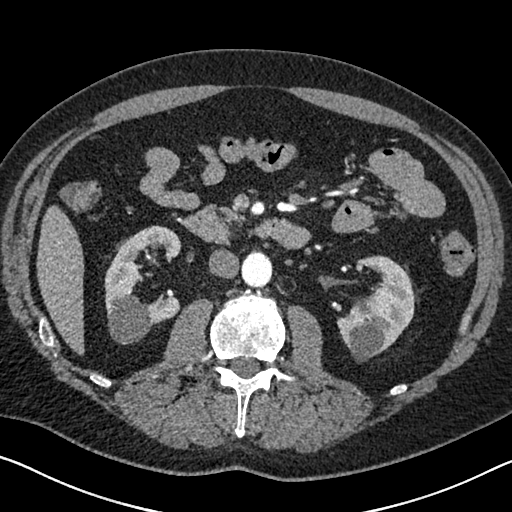
Arterial-phase contrast-enhanced abdominal CT, axial slice 364 of 626 (counted from the lowest slice); tube voltage 120 kVp, convolution kernel I30f; slices 1.00 mm thick, 0.703 mm per pixel.
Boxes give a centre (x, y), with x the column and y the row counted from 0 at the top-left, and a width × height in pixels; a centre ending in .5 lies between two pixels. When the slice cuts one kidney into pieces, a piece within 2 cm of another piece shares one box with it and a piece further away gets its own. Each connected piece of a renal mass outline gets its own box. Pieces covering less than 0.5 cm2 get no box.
Two kidney boxes on this slice; by box centre, from the image's left to its right: (1) Right kidney, box centre (142.5, 284.5), 78 × 120 pixels (outlined area 5,497 px, about 27.2 cm2). (2) Left kidney in a box with centre (375.5, 308), 78 × 107 pixels (outlined area 5,033 px, about 24.9 cm2). This slice carries no renal mass outline.